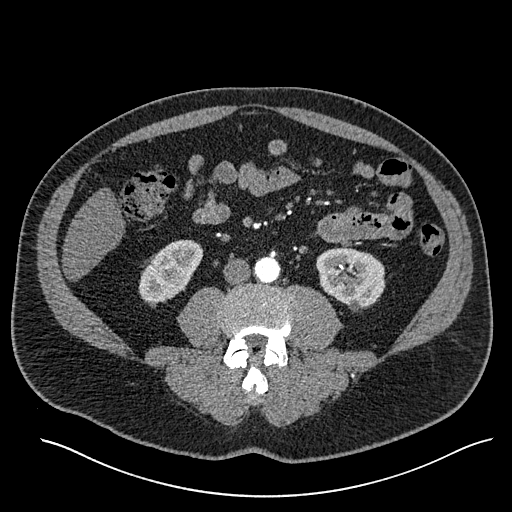
Arterial-phase contrast-enhanced abdominal CT, axial slice 224 of 527 (counted from the lowest slice); tube voltage 120 kVp, convolution kernel I30f; slices 1.00 mm thick, 0.859 mm per pixel.
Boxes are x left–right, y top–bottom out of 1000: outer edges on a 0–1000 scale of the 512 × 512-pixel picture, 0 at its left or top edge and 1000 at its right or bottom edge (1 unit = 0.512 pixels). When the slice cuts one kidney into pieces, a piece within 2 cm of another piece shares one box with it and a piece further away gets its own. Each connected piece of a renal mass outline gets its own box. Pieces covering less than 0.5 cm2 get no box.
Two kidney boxes on this slice; by box centre, from the image's left to its right: (1) Right kidney, box x 270–398, y 467–592 out of 1000 (outlined area 2,710 px, about 20.0 cm2). (2) Left kidney at x 617–754, y 480–611 out of 1000 (outlined area 3,353 px, about 24.8 cm2). No renal mass outline on this slice.